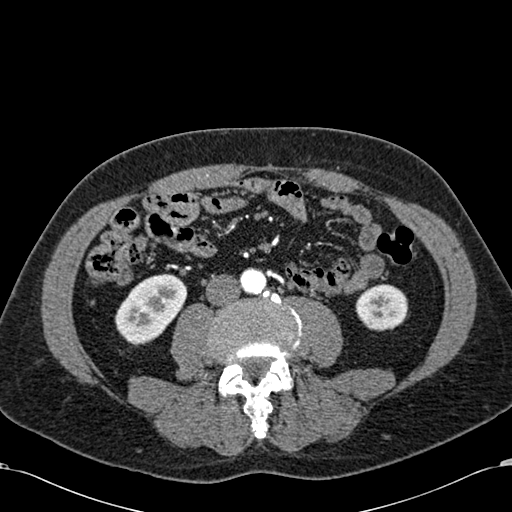
One axial slice (231 of 581, counting up from the lowest) of an arterial-phase abdominal CT acquired with 120 kVp, kernel B30f; each pixel is 0.713 mm and the slice is 1.00 mm thick.
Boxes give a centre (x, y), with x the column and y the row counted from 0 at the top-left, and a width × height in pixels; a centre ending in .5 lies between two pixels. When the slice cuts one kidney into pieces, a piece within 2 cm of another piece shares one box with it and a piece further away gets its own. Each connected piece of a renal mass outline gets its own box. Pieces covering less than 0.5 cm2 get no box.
Two kidney boxes on this slice; by box centre, from the image's left to its right: (1) Box centre (151, 309), 73 × 73 pixels: right kidney (outlined area 3,521 px, about 17.9 cm2). (2) Left kidney in a box with centre (381.5, 307.5), 54 × 48 pixels (outlined area 1,963 px, about 10.0 cm2). This slice carries no renal mass outline.